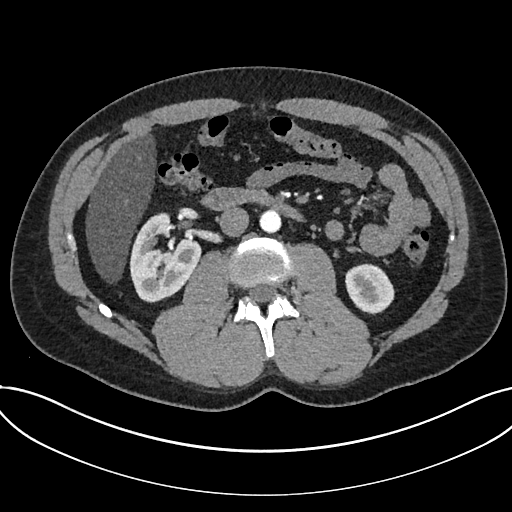
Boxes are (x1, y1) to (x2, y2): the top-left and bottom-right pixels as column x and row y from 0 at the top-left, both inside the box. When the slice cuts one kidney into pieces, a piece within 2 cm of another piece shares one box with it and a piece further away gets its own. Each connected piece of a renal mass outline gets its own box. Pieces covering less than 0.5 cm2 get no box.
Arterial-phase contrast-enhanced abdominal CT, axial slice 381 of 735 (counted from the lowest slice); 1.00 mm thick, 0.789 mm per pixel. Boxed on this slice (two kidney boxes), listed by box centre from the image's left to its right: (1) Box (129, 212) to (200, 302): kidney (outlined area 4,343 px, about 27.0 cm2). (2) Kidney from (345, 263) to (394, 314) (outlined area 1,912 px, about 11.9 cm2). No renal mass is outlined on this slice.
Tube voltage 120 kVp; convolution kernel I30f.